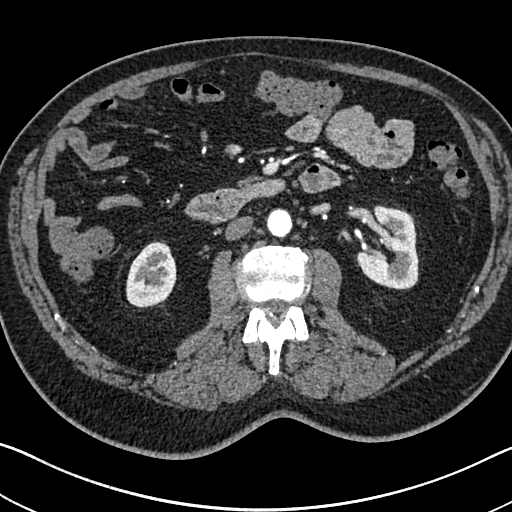
Axial slice 388 of 705 of a contrast-enhanced abdominal CT in the arterial phase (slice 1 is the lowest), 120 kVp, kernel I30f; 1.00 mm slice thickness and 0.703 mm pixels.
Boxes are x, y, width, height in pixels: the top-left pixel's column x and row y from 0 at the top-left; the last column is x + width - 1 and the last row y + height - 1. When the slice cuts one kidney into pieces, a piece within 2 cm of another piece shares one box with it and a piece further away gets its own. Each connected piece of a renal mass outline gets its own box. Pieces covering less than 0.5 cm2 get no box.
Two boxes on this slice (two kidney boxes), listed by box centre from the image's left to its right. (1) Box x 125, y 241, width 52, height 67: right kidney (outlined area 2,617 px, about 12.9 cm2). (2) Left kidney at x 355, y 205, width 64, height 85 (outlined area 3,920 px, about 19.4 cm2). No renal mass is outlined on this slice.